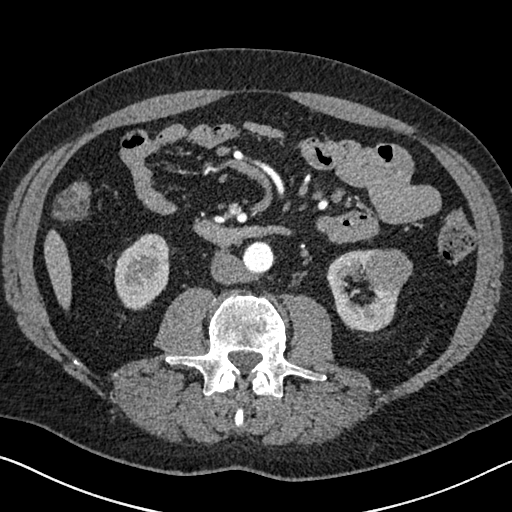
Abdominal CT with intravenous contrast, arterial phase, axial plane, 120 kVp, kernel I30f. Slice 321/626 from the bottom of the scan; thickness 1.00 mm; pixel size 0.703 mm.
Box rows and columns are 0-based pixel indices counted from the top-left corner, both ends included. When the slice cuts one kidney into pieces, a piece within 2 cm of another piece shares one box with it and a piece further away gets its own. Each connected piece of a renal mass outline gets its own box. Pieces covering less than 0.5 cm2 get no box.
Boxed on this slice (two kidney boxes and one renal mass box), listed by box centre from the image's left to its right: (1) Right kidney, box rows 233–310, columns 114–169 (outlined area 3,261 px, about 16.1 cm2). (2) Left kidney at rows 249–332, columns 326–400 (outlined area 3,301 px, about 16.3 cm2). (3) Left renal mass at rows 249–292, columns 365–412 (outlined area 1,670 px, about 8.3 cm2).